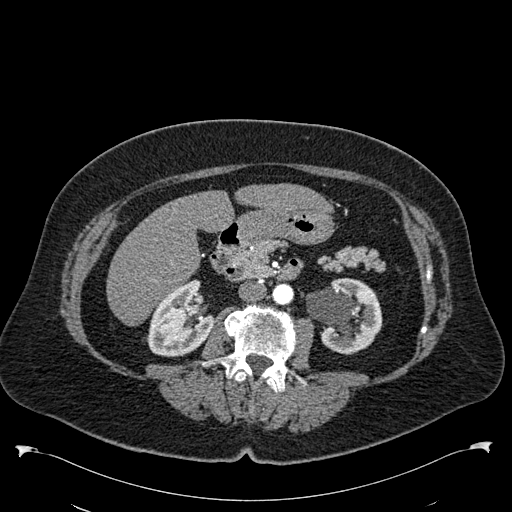
One axial slice (308 of 538, counting up from the lowest) of an arterial-phase abdominal CT acquired with 120 kVp, kernel B30f; each pixel is 0.811 mm and the slice is 1.00 mm thick.
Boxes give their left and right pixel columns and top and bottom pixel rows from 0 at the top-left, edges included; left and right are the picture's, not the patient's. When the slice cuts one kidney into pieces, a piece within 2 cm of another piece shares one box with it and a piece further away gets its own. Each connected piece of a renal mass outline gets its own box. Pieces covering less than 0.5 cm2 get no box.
Two boxes on this slice (two kidney boxes), listed by box centre from the image's left to its right. (1) Right kidney, the box with left 147, top 279, right 214, bottom 356 (outlined area 3,592 px, about 23.6 cm2). (2) Left kidney in the box with left 306, top 278, right 382, bottom 354 (outlined area 4,201 px, about 27.6 cm2). No renal mass outline on this slice.